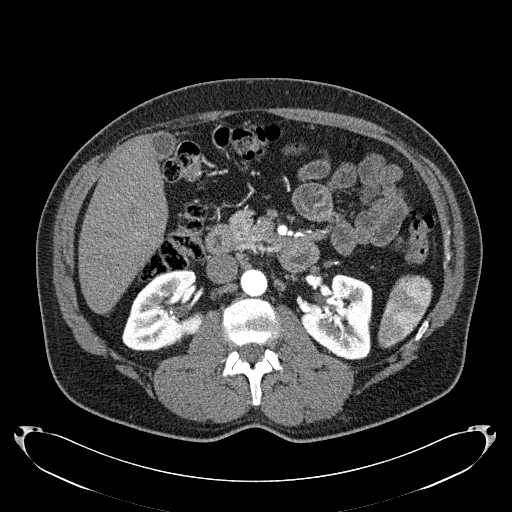
Abdominal CT with intravenous contrast, arterial phase, axial plane, 120 kVp, kernel B31f. Slice 118/279 from the bottom of the scan; thickness 2.00 mm; pixel size 0.824 mm.
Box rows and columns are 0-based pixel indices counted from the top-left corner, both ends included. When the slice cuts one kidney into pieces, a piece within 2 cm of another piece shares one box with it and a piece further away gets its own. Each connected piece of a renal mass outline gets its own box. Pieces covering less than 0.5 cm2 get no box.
Boxed on this slice (two kidney boxes), listed by box centre from the image's left to its right: (1) Box rows 268–350, columns 122–201: right kidney (outlined area 4,686 px, about 31.8 cm2). (2) Left kidney, box rows 274–359, columns 300–372 (outlined area 4,616 px, about 31.4 cm2). This slice carries no renal mass outline.